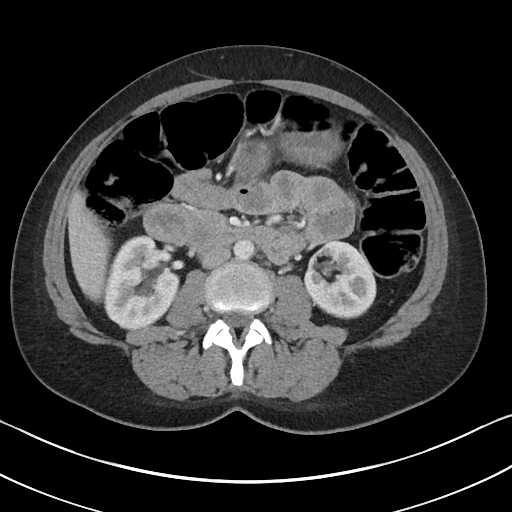
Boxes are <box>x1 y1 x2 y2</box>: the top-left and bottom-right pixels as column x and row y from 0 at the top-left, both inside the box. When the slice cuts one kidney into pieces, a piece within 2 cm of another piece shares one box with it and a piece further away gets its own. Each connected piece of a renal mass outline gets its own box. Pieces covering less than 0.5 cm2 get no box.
Arterial-phase contrast-enhanced abdominal CT, axial slice 58 of 90 (counted from the lowest slice); 5.00 mm thick, 0.703 mm per pixel. Boxed on this slice (two kidney boxes and one renal mass box), listed by box centre from the image's left to its right: (1) At <box>103 235 179 330</box>: right kidney (outlined area 5,368 px, about 26.5 cm2). (2) Left renal mass at <box>307 245 334 271</box> (outlined area 504 px, about 2.5 cm2). (3) Left kidney: <box>303 240 376 319</box> (outlined area 3,767 px, about 18.6 cm2).
Acquired at 100 kVp and reconstructed with the I40f kernel.